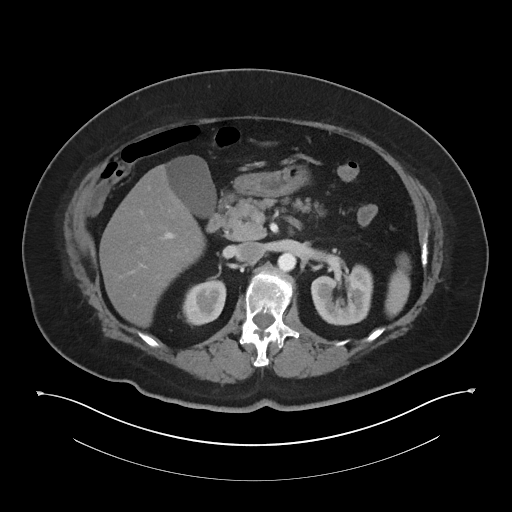
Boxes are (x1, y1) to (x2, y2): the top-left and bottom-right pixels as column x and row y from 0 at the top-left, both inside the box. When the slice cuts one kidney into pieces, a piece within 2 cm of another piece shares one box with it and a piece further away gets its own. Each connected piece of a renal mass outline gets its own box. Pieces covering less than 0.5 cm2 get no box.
This is axial slice 28 of 60 (slice 1 is the lowest) of an abdominal CT with contrast; each pixel is 0.971 mm and the slice is 5.00 mm thick. Boxed on this slice (two kidney boxes), listed by box centre from the image's left to its right: (1) Right kidney from (182, 278) to (226, 325) (outlined area 1,603 px, about 15.1 cm2). (2) Box (311, 263) to (373, 325): left kidney (outlined area 2,934 px, about 27.6 cm2). No renal mass is outlined on this slice.
Acquired at 120 kVp and reconstructed with the I30f kernel.